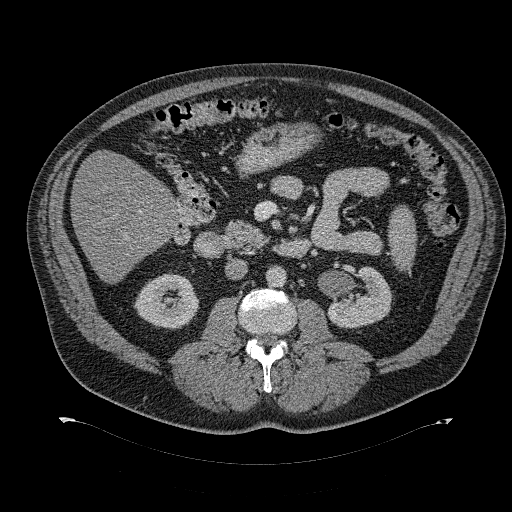
Contrast-enhanced abdominal CT, axial slice 175 of 274 (counted from the lowest slice); tube voltage 120 kVp, convolution kernel B31f; slices 2.00 mm thick, 0.977 mm per pixel.
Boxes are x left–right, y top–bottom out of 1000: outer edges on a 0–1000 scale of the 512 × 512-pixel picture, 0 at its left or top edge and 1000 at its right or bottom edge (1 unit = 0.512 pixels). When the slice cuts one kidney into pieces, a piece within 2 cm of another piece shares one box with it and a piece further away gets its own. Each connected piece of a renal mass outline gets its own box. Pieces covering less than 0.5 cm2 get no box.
Two kidney boxes on this slice; by box centre, from the image's left to its right: (1) Right kidney at x 262–391, y 531–645 out of 1000 (outlined area 2,712 px, about 25.9 cm2). (2) Left kidney at x 639–768, y 520–643 out of 1000 (outlined area 2,704 px, about 25.8 cm2). This slice carries no renal mass outline.